One axial slice (405 of 683, counting up from the lowest) of an arterial-phase abdominal CT acquired with 120 kVp, kernel I30f; each pixel is 0.738 mm and the slice is 1.00 mm thick.
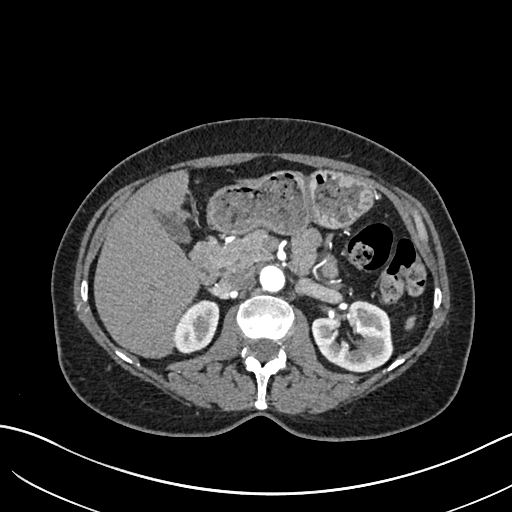
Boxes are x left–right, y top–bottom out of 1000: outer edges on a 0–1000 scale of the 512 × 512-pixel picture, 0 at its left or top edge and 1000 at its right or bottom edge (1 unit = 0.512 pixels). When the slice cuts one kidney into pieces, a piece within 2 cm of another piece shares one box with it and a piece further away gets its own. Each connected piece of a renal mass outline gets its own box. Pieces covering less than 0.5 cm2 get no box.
Two kidney boxes on this slice; by box centre, from the image's left to its right: (1) Right kidney, box x 344–430, y 584–691 out of 1000 (outlined area 1,758 px, about 9.6 cm2). (2) Left kidney at x 607–770, y 584–723 out of 1000 (outlined area 4,088 px, about 22.3 cm2). This slice carries no renal mass outline.